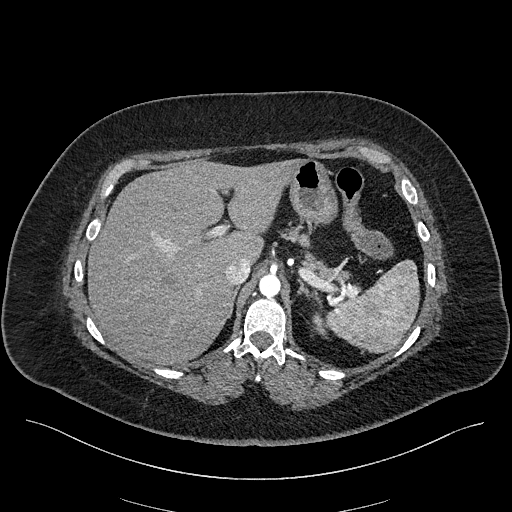
One axial slice (170 of 270, counting up from the lowest) of an arterial-phase abdominal CT acquired with 100 kVp, kernel I40f; each pixel is 0.855 mm and the slice is 2.00 mm thick.
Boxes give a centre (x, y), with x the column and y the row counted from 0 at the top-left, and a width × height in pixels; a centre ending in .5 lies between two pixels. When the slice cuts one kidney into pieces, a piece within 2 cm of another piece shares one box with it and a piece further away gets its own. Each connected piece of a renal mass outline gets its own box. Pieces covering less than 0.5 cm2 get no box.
Box centre (319, 323.5), 15 × 22 pixels: left kidney (outlined area 195 px, about 1.4 cm2). No renal mass outline on this slice.